One axial slice (67 of 99, counting up from the lowest) of a contrast-enhanced abdominal CT acquired with 120 kVp, kernel B31f; each pixel is 0.742 mm and the slice is 5.00 mm thick.
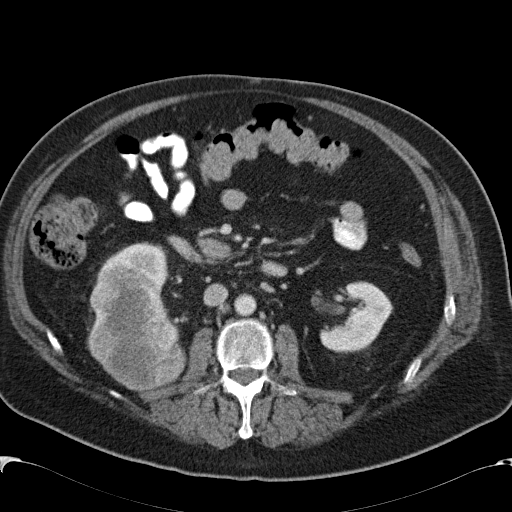
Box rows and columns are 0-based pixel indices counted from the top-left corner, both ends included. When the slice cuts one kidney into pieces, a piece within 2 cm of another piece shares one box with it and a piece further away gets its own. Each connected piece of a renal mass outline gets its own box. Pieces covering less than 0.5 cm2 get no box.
Two kidney boxes and one renal mass box on this slice; by box centre, from the image's left to its right: (1) Right kidney, box rows 243–293, columns 94–169 (outlined area 2,320 px, about 12.8 cm2). (2) Right renal mass at rows 279–392, columns 87–186 (outlined area 8,338 px, about 45.9 cm2). (3) Left kidney at rows 281–353, columns 320–393 (outlined area 3,376 px, about 18.6 cm2).